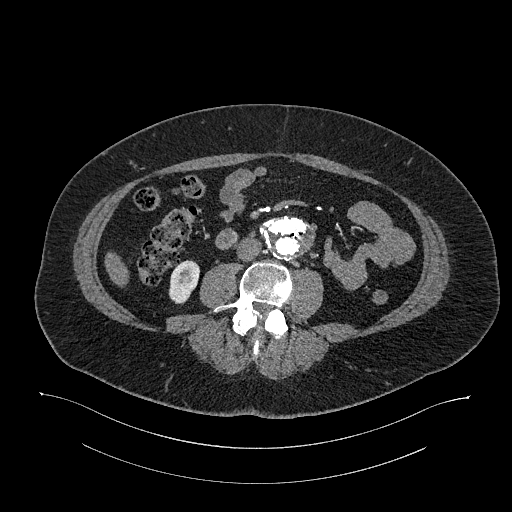
One axial slice (540 of 987, counting up from the lowest) of an arterial-phase abdominal CT acquired with 120 kVp, kernel I26f; each pixel is 0.977 mm and the slice is 1.00 mm thick.
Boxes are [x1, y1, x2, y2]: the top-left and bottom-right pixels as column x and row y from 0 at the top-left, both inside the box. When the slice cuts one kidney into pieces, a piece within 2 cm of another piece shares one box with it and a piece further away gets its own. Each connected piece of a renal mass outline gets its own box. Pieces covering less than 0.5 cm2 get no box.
Right kidney, box [168, 260, 200, 303] (outlined area 1,019 px, about 9.7 cm2). This slice carries no renal mass outline.